Axial slice 70 of 316 of a contrast-enhanced abdominal CT in the arterial phase (slice 1 is the lowest), 100 kVp, kernel I40f; 2.00 mm slice thickness and 0.840 mm pixels.
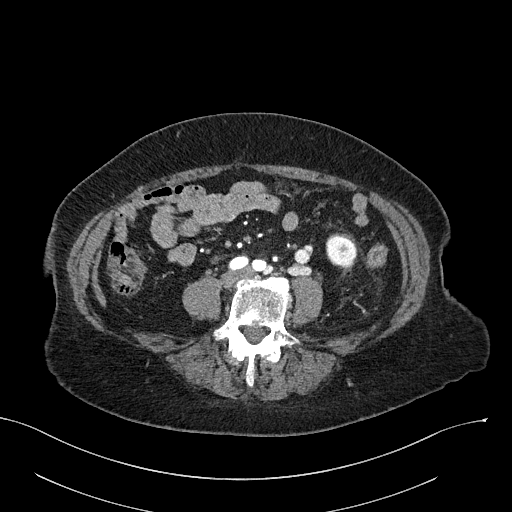
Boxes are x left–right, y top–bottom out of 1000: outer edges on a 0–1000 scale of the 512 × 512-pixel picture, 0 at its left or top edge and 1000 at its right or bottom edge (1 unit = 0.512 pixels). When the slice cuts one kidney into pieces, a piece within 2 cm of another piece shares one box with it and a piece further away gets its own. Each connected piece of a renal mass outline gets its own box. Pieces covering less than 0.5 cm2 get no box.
Box x 637–697, y 457–523 out of 1000: left kidney (outlined area 843 px, about 5.9 cm2). No renal mass outline on this slice.